Arterial-phase contrast-enhanced abdominal CT, axial slice 362 of 665 (counted from the lowest slice); tube voltage 100 kVp, convolution kernel I26f; slices 1.00 mm thick, 0.828 mm per pixel.
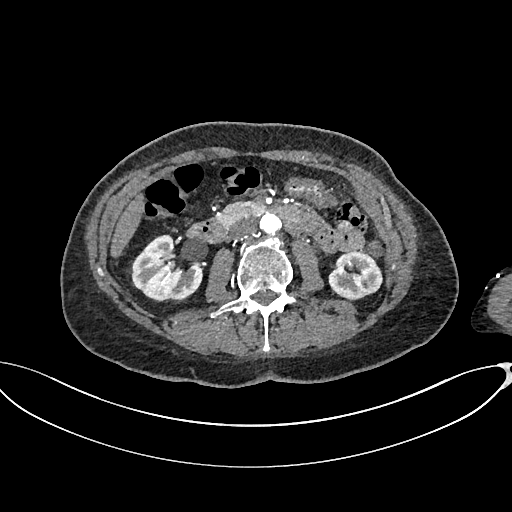
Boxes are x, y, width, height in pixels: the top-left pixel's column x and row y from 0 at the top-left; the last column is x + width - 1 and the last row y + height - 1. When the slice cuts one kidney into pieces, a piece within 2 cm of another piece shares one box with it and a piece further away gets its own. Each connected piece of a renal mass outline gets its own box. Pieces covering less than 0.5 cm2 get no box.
Boxed on this slice (two kidney boxes), listed by box centre from the image's left to its right: (1) Right kidney, box x 128, y 234, width 75, height 69 (outlined area 3,380 px, about 23.2 cm2). (2) Box x 328, y 252, width 55, height 48: left kidney (outlined area 2,029 px, about 13.9 cm2). No renal mass outline on this slice.